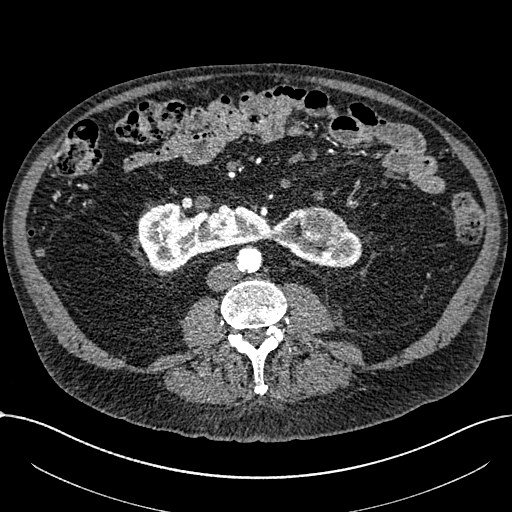
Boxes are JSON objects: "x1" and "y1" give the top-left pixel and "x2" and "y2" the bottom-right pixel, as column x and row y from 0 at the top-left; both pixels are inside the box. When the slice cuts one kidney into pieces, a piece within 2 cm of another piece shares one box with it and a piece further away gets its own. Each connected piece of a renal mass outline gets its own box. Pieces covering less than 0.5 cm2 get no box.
Slice 306/1059 of a contrast-enhanced abdominal CT in the arterial phase, counting up from the lowest; pixel size 0.811 mm, slice thickness 1.00 mm. Two boxes on this slice (one kidney box and one renal mass box), listed by box centre from the image's left to its right. (1) Kidney crossing the body midline, box {"x1": 137, "y1": 203, "x2": 362, "y2": 271} (outlined area 8,616 px, about 56.6 cm2). (2) Renal mass at {"x1": 299, "y1": 205, "x2": 345, "y2": 245} (outlined area 1,433 px, about 9.4 cm2).
Scan settings: 100 kVp, I30f reconstruction kernel.